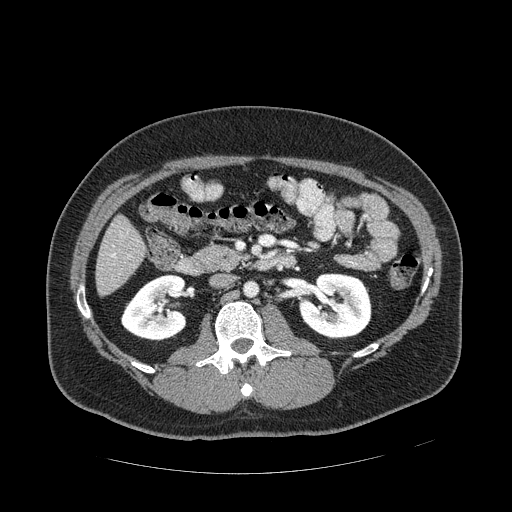
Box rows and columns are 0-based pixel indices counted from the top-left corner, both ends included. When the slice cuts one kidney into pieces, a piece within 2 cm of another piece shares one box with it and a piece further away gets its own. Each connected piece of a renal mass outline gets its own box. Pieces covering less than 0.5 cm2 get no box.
This is axial slice 252 of 389 (slice 1 is the lowest) of an arterial-phase abdominal CT with contrast; each pixel is 0.869 mm and the slice is 1.25 mm thick. Boxed on this slice (two kidney boxes), listed by box centre from the image's left to its right: (1) Right kidney, box rows 274–341, columns 121–186 (outlined area 3,312 px, about 25.0 cm2). (2) Left kidney, box rows 273–338, columns 298–371 (outlined area 3,835 px, about 29.0 cm2). No renal mass outline on this slice.
Scan settings: 120 kVp, STANDARD reconstruction kernel.